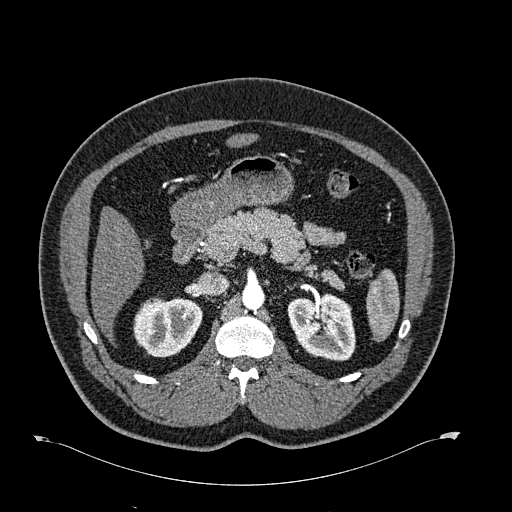
One axial slice (418 of 723, counting up from the lowest) of an arterial-phase abdominal CT acquired with 120 kVp, kernel B30f; each pixel is 0.895 mm and the slice is 1.00 mm thick.
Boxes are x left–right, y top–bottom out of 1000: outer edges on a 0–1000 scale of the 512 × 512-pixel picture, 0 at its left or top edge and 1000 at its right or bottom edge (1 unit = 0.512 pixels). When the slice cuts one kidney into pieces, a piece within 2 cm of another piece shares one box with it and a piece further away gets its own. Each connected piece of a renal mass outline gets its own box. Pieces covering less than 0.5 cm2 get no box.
Boxed on this slice (two kidney boxes), listed by box centre from the image's left to its right: (1) Box x 260–396, y 580–699 out of 1000: right kidney (outlined area 3,278 px, about 26.2 cm2). (2) Left kidney, box x 561–695, y 570–707 out of 1000 (outlined area 3,650 px, about 29.2 cm2). No renal mass outline on this slice.